Axial slice 207 of 581 of a contrast-enhanced abdominal CT in the arterial phase (slice 1 is the lowest), 120 kVp, kernel B30f; 1.00 mm slice thickness and 0.713 mm pixels.
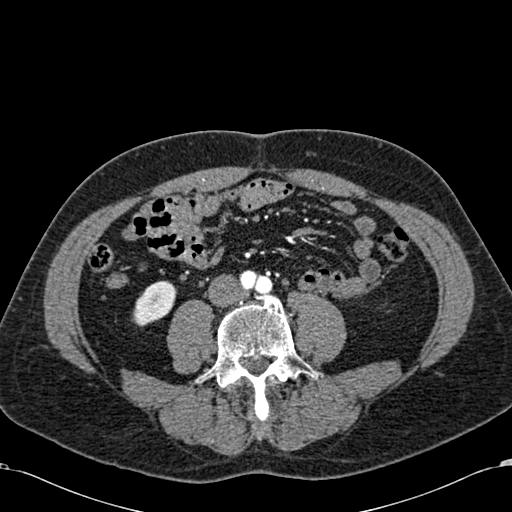
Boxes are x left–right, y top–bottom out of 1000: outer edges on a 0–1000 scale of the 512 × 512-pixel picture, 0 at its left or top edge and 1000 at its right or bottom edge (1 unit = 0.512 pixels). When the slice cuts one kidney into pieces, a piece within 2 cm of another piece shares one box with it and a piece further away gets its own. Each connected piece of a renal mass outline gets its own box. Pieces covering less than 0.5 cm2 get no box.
Box x 256–346, y 547–639 out of 1000: right kidney (outlined area 1,418 px, about 7.2 cm2). This slice carries no renal mass outline.